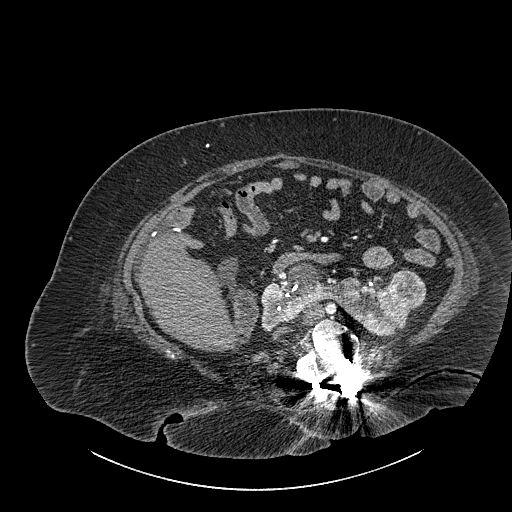
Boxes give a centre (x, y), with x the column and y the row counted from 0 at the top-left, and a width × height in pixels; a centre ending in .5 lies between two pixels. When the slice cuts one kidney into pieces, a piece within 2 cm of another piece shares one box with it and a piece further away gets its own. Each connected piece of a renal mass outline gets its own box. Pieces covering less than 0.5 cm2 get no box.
Slice 496/834 of a contrast-enhanced abdominal CT, counting up from the lowest; pixel size 0.977 mm, slice thickness 1.00 mm. Boxed on this slice (one kidney box and one renal mass box), listed by box centre from the image's left to its right: (1) Box centre (335.5, 299), 150 × 75 pixels: kidney crossing the body midline (outlined area 5,543 px, about 52.9 cm2). (2) Box centre (407, 288.5), 39 × 42 pixels: renal mass (outlined area 1,239 px, about 11.8 cm2).
Tube voltage 140 kVp; convolution kernel I30f.